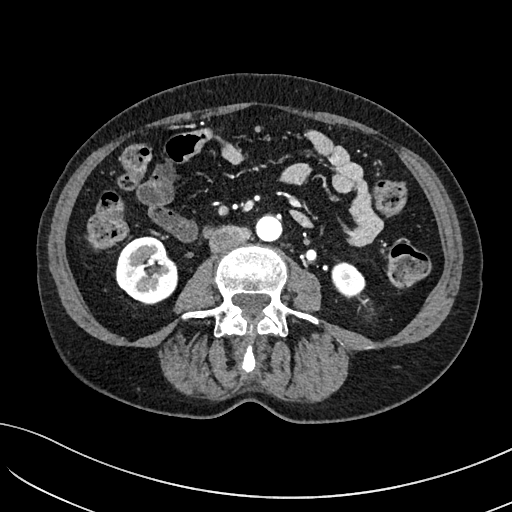
Arterial-phase contrast-enhanced abdominal CT, axial slice 26 of 234 (counted from the lowest slice); tube voltage 100 kVp, convolution kernel I40f; slices 2.00 mm thick, 0.699 mm per pixel.
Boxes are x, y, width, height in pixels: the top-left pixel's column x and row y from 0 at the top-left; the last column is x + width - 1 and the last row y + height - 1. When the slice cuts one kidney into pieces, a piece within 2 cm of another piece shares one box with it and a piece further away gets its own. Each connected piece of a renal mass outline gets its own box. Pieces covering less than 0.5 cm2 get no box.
Two kidney boxes on this slice; by box centre, from the image's left to its right: (1) Right kidney at x 115, y 236, width 64, height 69 (outlined area 3,260 px, about 15.9 cm2). (2) Left kidney, box x 331, y 261, width 39, height 43 (outlined area 1,004 px, about 4.9 cm2). This slice carries no renal mass outline.